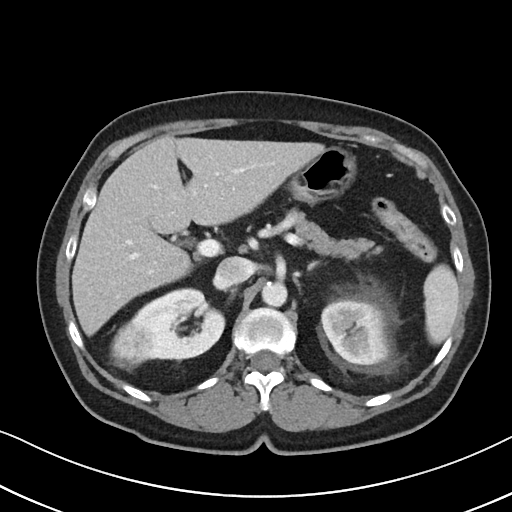
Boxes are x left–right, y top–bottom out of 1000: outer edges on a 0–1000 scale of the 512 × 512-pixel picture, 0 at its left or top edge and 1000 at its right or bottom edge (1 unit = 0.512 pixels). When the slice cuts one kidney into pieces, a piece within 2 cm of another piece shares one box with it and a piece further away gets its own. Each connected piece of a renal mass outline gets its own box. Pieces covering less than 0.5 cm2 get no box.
Slice 65/88 of a contrast-enhanced abdominal CT, counting up from the lowest; pixel size 0.674 mm, slice thickness 5.00 mm. Three boxes on this slice (two kidney boxes and one renal mass box), listed by box centre from the image's left to its right. (1) Box x 215–303, y 625–729 out of 1000: right renal mass (outlined area 1,695 px, about 7.7 cm2). (2) Box x 258–441, y 563–703 out of 1000: right kidney (outlined area 4,389 px, about 19.9 cm2). (3) Left kidney at x 627–756, y 588–715 out of 1000 (outlined area 3,327 px, about 15.1 cm2).
Scan settings: 100 kVp, I40f reconstruction kernel.